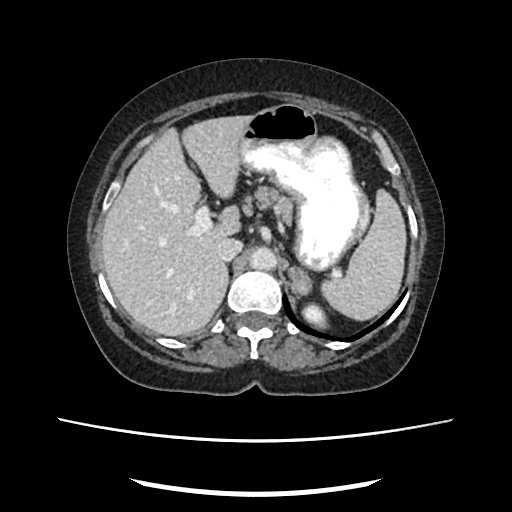
Arterial-phase contrast-enhanced abdominal CT, axial slice 162 of 207 (counted from the lowest slice); tube voltage 120 kVp, convolution kernel FC18; slices 2.00 mm thick, 0.741 mm per pixel.
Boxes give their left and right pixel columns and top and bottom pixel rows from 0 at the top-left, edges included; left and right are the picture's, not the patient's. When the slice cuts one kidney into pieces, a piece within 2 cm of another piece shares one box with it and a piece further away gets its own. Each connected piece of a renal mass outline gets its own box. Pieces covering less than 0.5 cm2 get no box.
Box with left 301, top 302, right 329, bottom 329: left kidney (outlined area 532 px, about 2.9 cm2). No renal mass outline on this slice.